Axial slice 311 of 734 of a contrast-enhanced abdominal CT (slice 1 is the lowest), 120 kVp, kernel B31f; 2.00 mm slice thickness and 0.971 mm pixels.
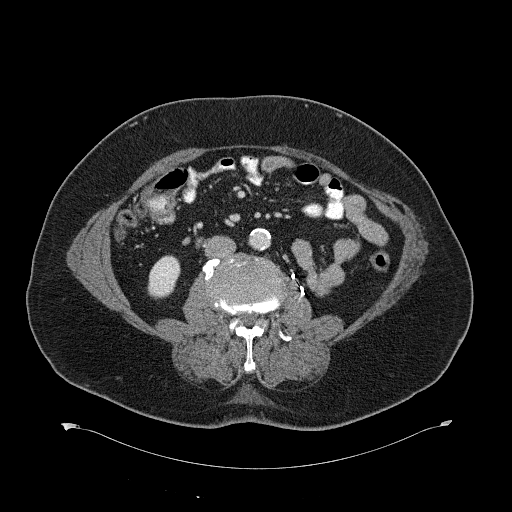
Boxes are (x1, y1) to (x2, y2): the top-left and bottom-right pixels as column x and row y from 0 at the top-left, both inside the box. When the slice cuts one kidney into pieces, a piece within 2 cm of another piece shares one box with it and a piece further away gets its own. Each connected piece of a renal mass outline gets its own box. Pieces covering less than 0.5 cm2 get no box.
Right kidney, box (147, 255) to (180, 299) (outlined area 1,111 px, about 10.5 cm2). No renal mass outline on this slice.